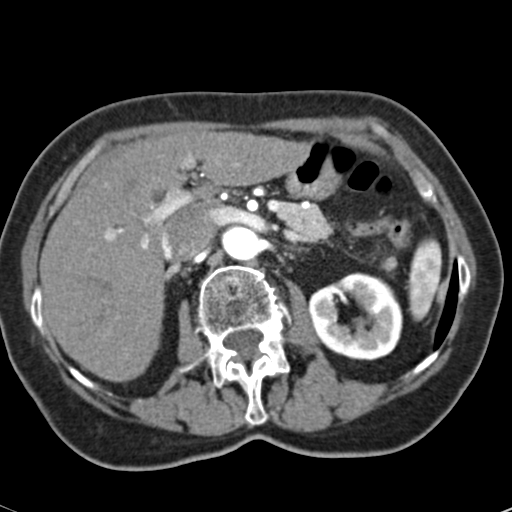
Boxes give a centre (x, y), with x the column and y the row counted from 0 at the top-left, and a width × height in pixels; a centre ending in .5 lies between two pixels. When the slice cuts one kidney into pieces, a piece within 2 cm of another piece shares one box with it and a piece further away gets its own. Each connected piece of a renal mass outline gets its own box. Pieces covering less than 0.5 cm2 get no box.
Slice 39/53 of a contrast-enhanced abdominal CT in the arterial phase, counting up from the lowest; pixel size 0.547 mm, slice thickness 3.00 mm. Box centre (355, 316), 95 × 89 pixels: left kidney (outlined area 6,033 px, about 18.0 cm2). This slice carries no renal mass outline.
Tube voltage 120 kVp; convolution kernel B30f.